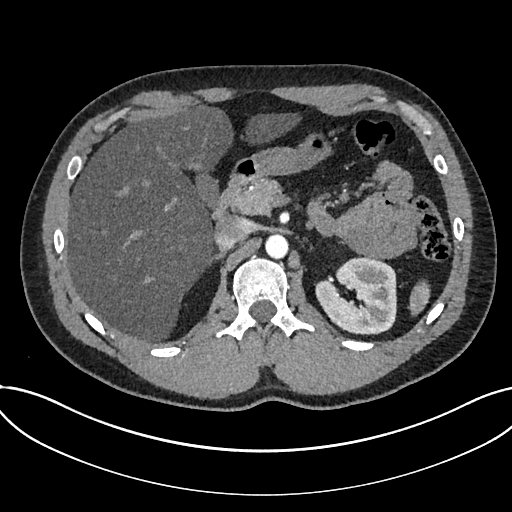
One axial slice (492 of 735, counting up from the lowest) of an arterial-phase abdominal CT acquired with 120 kVp, kernel I30f; each pixel is 0.789 mm and the slice is 1.00 mm thick.
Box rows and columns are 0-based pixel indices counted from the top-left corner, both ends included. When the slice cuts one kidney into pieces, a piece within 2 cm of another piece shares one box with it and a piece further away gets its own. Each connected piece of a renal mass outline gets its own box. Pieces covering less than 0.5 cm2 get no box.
Box rows 256–334, columns 315–396: kidney (outlined area 4,842 px, about 30.1 cm2). No renal mass outline on this slice.